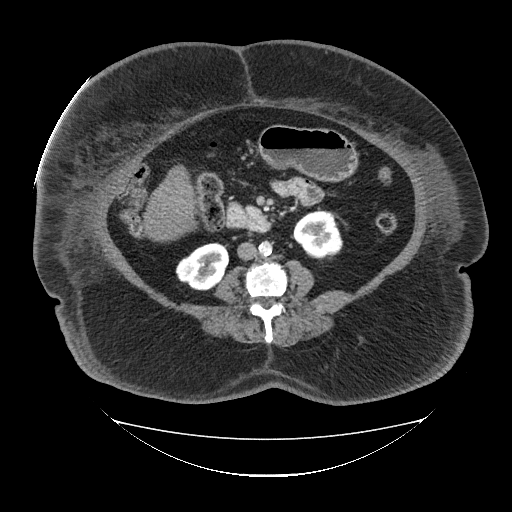
Abdominal CT with intravenous contrast, arterial phase, axial plane, 120 kVp, kernel FC19. Slice 50/85 from the bottom of the scan; thickness 5.00 mm; pixel size 1.041 mm.
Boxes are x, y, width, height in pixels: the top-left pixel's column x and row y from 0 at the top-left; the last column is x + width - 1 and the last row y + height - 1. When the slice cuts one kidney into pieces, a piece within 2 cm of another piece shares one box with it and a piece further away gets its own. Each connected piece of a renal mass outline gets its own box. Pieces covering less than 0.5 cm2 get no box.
Two kidney boxes on this slice; by box centre, from the image's left to its right: (1) Box x 175, y 242, width 55, height 49: right kidney (outlined area 1,904 px, about 20.6 cm2). (2) Left kidney at x 293, y 210, width 51, height 49 (outlined area 1,844 px, about 20.0 cm2). No renal mass is outlined on this slice.